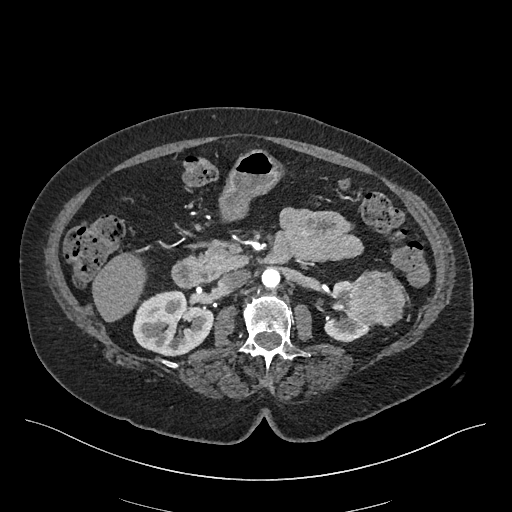
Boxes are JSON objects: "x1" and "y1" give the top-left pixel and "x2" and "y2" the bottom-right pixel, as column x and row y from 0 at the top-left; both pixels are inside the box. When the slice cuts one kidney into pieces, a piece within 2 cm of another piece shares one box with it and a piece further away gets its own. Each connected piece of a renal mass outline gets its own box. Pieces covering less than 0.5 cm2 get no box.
This is axial slice 255 of 548 (slice 1 is the lowest) of an arterial-phase abdominal CT with contrast; each pixel is 0.852 mm and the slice is 1.00 mm thick. Boxed on this slice (two kidney boxes and one renal mass box), listed by box centre from the image's left to its right: (1) Right kidney at {"x1": 132, "y1": 290, "x2": 212, "y2": 356} (outlined area 4,022 px, about 29.2 cm2). (2) Left kidney at {"x1": 324, "y1": 280, "x2": 370, "y2": 342} (outlined area 1,379 px, about 10.0 cm2). (3) Left renal mass, box {"x1": 344, "y1": 270, "x2": 405, "y2": 327} (outlined area 2,780 px, about 20.2 cm2).
Tube voltage 120 kVp; convolution kernel I26f.